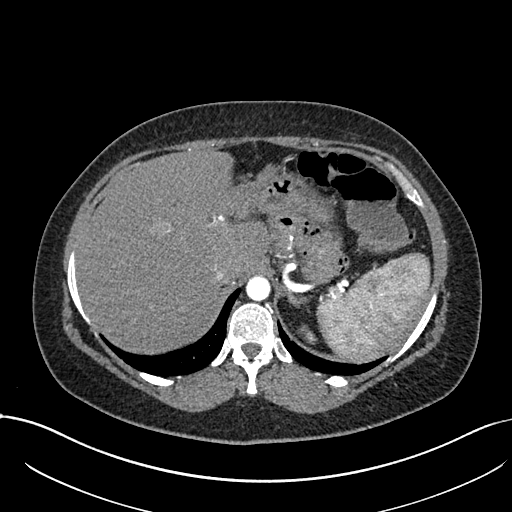
Axial slice 580 of 738 of a contrast-enhanced abdominal CT in the arterial phase (slice 1 is the lowest), 120 kVp, kernel I30f; 1.00 mm slice thickness and 0.789 mm pixels.
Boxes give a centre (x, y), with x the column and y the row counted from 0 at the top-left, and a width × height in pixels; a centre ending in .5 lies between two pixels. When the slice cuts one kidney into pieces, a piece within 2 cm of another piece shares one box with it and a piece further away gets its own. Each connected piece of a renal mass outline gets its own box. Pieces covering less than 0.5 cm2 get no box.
Left kidney in a box with centre (307, 334.5), 21 × 20 pixels (outlined area 211 px, about 1.3 cm2). No renal mass is outlined on this slice.